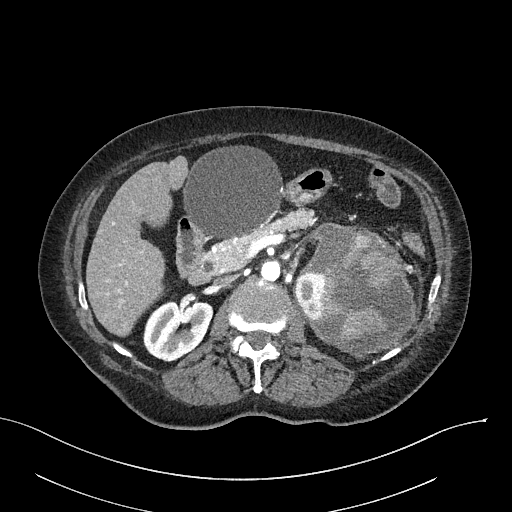
Abdominal CT with intravenous contrast, arterial phase, axial plane, 100 kVp, kernel I40f. Slice 154/316 from the bottom of the scan; thickness 2.00 mm; pixel size 0.840 mm.
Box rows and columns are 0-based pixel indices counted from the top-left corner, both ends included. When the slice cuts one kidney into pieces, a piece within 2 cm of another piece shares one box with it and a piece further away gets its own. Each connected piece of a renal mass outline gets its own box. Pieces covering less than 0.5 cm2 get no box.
Boxed on this slice (two kidney boxes and one renal mass box), listed by box centre from the image's left to its right: (1) Box rows 300–360, columns 143–212: right kidney (outlined area 3,188 px, about 22.5 cm2). (2) Box rows 272–319, columns 294–323: left kidney (outlined area 1,067 px, about 7.5 cm2). (3) Left renal mass at rows 223–359, columns 300–415 (outlined area 10,859 px, about 76.6 cm2).